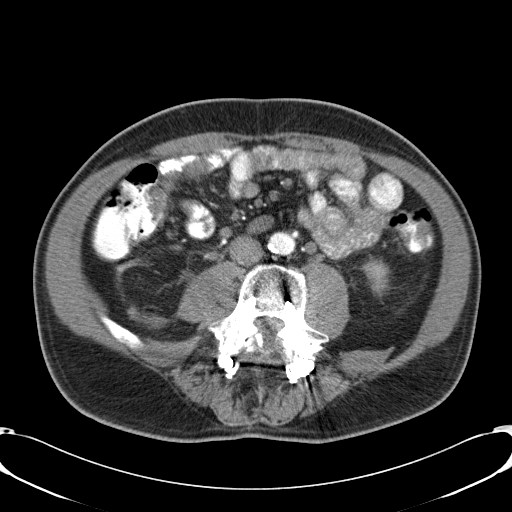
Contrast-enhanced abdominal CT, axial slice 12 of 57 (counted from the lowest slice); tube voltage 120 kVp, convolution kernel B31f; slices 5.00 mm thick, 0.732 mm per pixel.
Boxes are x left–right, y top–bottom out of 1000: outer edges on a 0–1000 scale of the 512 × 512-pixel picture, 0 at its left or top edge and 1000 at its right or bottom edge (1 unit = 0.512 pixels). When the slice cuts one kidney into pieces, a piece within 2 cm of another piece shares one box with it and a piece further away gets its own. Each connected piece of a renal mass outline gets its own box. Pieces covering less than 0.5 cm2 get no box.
Box x 703–764, y 500–582 out of 1000: left kidney (outlined area 810 px, about 4.3 cm2). No renal mass outline on this slice.